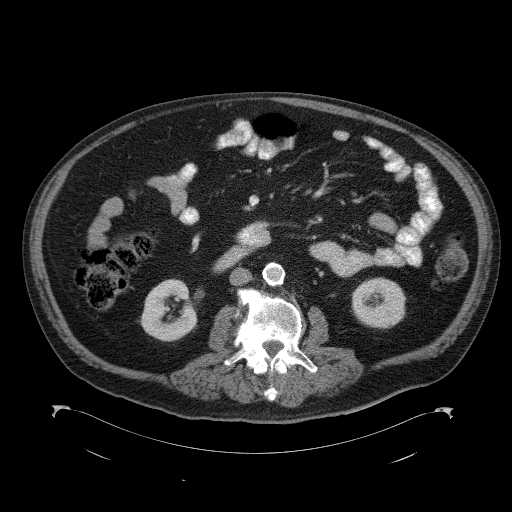
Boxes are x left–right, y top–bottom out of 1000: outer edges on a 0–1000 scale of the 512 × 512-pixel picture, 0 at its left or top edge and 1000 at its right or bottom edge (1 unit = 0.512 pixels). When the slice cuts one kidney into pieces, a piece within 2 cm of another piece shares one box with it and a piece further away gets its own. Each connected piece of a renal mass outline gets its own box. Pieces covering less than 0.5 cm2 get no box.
This is axial slice 51 of 98 (slice 1 is the lowest) of an abdominal CT with contrast; each pixel is 0.965 mm and the slice is 5.00 mm thick. Boxed on this slice (two kidney boxes), listed by box centre from the image's left to its right: (1) Right kidney, box x 271–387, y 545–668 out of 1000 (outlined area 2,625 px, about 24.4 cm2). (2) Box x 686–795, y 541–643 out of 1000: left kidney (outlined area 2,279 px, about 21.2 cm2). No renal mass outline on this slice.
Scan settings: 120 kVp, B41f reconstruction kernel.